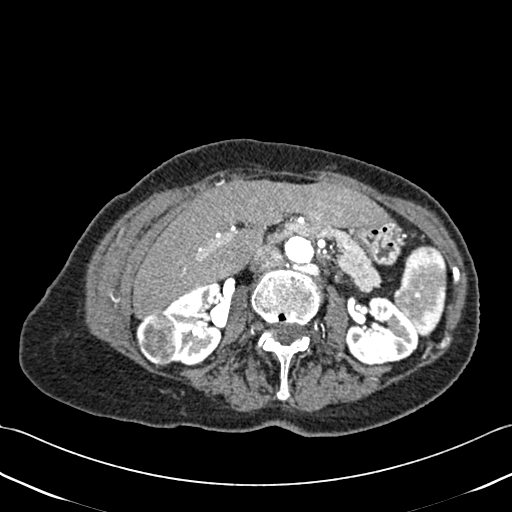
Axial slice 242 of 433 of a contrast-enhanced abdominal CT (slice 1 is the lowest), 120 kVp, kernel B30f; 1.00 mm slice thickness and 0.672 mm pixels.
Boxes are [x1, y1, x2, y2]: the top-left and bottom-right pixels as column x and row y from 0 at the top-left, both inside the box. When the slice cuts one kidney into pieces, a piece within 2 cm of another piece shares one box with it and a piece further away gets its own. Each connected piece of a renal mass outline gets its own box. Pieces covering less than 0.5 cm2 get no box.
Two kidney boxes and one renal mass box on this slice; by box centre, from the image's left to its right: (1) Right renal mass, box [136, 311, 179, 368] (outlined area 1,878 px, about 8.5 cm2). (2) Right kidney at [162, 283, 224, 365] (outlined area 3,415 px, about 15.4 cm2). (3) Left kidney at [345, 296, 419, 366] (outlined area 3,660 px, about 16.5 cm2).